Abdominal CT with intravenous contrast, axial plane, 140 kVp, kernel I30f. Slice 510/834 from the bottom of the scan; thickness 1.00 mm; pixel size 0.977 mm.
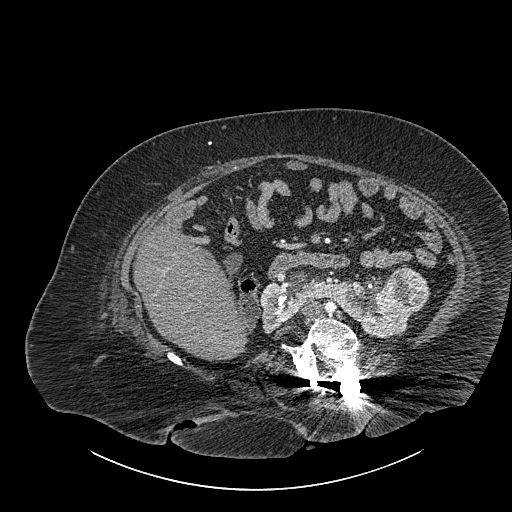
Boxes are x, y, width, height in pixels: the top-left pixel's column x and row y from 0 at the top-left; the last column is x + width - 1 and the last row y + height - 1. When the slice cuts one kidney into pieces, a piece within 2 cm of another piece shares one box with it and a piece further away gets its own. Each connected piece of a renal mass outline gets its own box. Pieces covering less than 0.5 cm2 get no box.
Two boxes on this slice (one kidney box and one renal mass box), listed by box centre from the image's left to its right. (1) Kidney crossing the body midline at x 259, y 271, width 153, height 70 (outlined area 5,316 px, about 50.7 cm2). (2) Box x 385, y 269, width 46, height 46: renal mass (outlined area 1,684 px, about 16.1 cm2).